Abdominal CT with intravenous contrast, axial plane, 120 kVp, kernel B41f. Slice 30/94 from the bottom of the scan; thickness 3.00 mm; pixel size 0.977 mm.
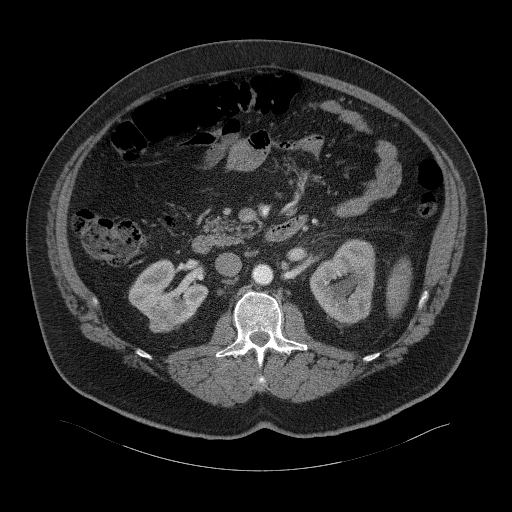
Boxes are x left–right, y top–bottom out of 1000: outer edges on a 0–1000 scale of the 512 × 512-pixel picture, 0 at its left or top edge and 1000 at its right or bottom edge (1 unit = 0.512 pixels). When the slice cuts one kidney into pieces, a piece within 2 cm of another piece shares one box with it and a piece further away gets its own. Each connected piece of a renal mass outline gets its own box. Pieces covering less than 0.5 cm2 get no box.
Boxed on this slice (two kidney boxes and one renal mass box), listed by box centre from the image's left to its right: (1) Right renal mass at x 291–346, y 600–650 out of 1000 (outlined area 589 px, about 5.6 cm2). (2) Box x 250–408, y 508–639 out of 1000: right kidney (outlined area 3,074 px, about 29.3 cm2). (3) Box x 604–734, y 467–637 out of 1000: left kidney (outlined area 4,116 px, about 39.3 cm2).